Arterial-phase contrast-enhanced abdominal CT, axial slice 129 of 207 (counted from the lowest slice); tube voltage 120 kVp, convolution kernel FC18; slices 2.00 mm thick, 0.741 mm per pixel.
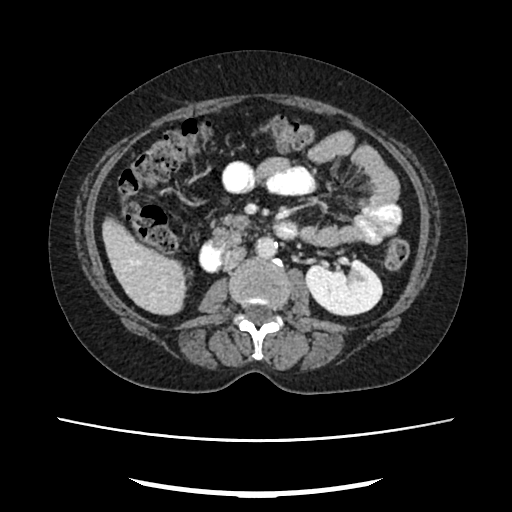
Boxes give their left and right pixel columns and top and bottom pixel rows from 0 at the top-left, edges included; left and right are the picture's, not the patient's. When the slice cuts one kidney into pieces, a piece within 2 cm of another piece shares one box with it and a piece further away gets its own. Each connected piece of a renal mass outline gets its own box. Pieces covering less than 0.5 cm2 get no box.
Left kidney in the box with left 304, top 258, right 383, bottom 316 (outlined area 3,499 px, about 19.2 cm2). This slice carries no renal mass outline.